Abdominal CT with intravenous contrast, arterial phase, axial plane, 120 kVp, kernel I30f. Slice 368/705 from the bottom of the scan; thickness 1.00 mm; pixel size 0.703 mm.
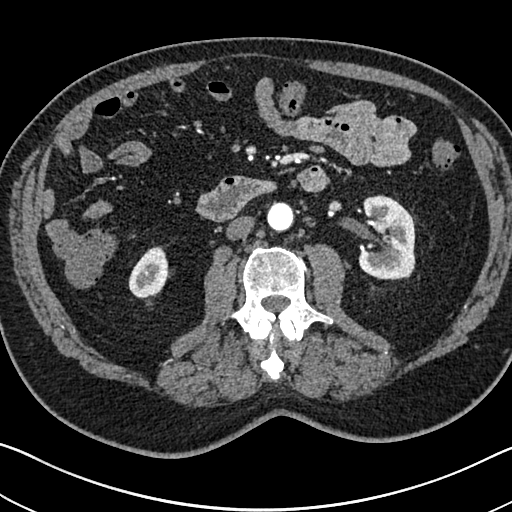
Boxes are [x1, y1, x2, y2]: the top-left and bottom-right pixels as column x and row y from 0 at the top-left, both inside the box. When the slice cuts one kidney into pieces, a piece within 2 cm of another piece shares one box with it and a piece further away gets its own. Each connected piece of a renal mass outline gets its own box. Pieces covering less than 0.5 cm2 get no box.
Two boxes on this slice (two kidney boxes), listed by box centre from the image's left to its right. (1) Right kidney, box [128, 246, 168, 298] (outlined area 1,525 px, about 7.5 cm2). (2) Left kidney at [358, 195, 415, 280] (outlined area 4,036 px, about 20.0 cm2). This slice carries no renal mass outline.